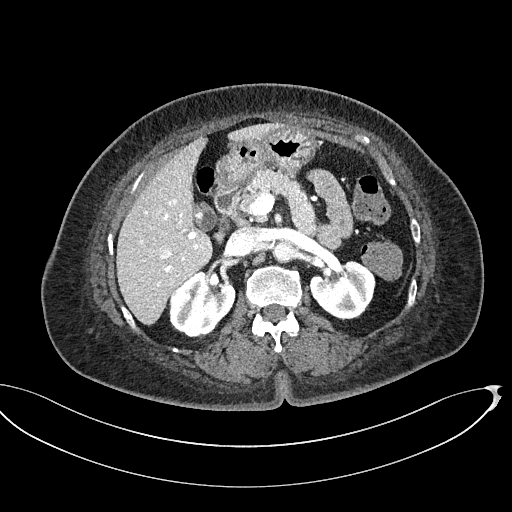
Axial slice 318 of 439 of a contrast-enhanced abdominal CT (slice 1 is the lowest), 100 kVp, kernel I40f; 2.00 mm slice thickness and 0.850 mm pixels.
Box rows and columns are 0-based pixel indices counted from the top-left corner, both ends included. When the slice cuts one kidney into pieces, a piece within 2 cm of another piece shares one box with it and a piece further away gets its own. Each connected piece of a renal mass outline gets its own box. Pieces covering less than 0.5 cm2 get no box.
Three boxes on this slice (two kidney boxes and one renal mass box), listed by box centre from the image's left to its right. (1) Box rows 284–308, columns 170–190: right renal mass (outlined area 384 px, about 2.8 cm2). (2) Right kidney at rows 271–338, columns 169–235 (outlined area 2,764 px, about 20.0 cm2). (3) Left kidney at rows 260–320, columns 310–375 (outlined area 2,875 px, about 20.8 cm2).